Axial slice 357 of 787 of a contrast-enhanced abdominal CT (slice 1 is the lowest), 140 kVp, kernel I30f; 1.00 mm slice thickness and 0.910 mm pixels.
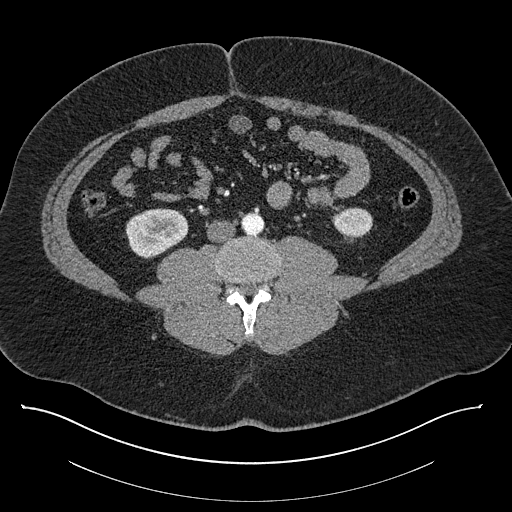
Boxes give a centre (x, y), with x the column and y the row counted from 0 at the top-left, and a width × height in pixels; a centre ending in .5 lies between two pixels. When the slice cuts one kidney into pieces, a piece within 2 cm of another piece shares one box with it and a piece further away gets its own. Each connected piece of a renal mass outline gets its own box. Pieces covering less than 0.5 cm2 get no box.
Boxed on this slice (two kidney boxes), listed by box centre from the image's left to its right: (1) Right kidney in a box with centre (156.5, 232), 64 × 49 pixels (outlined area 2,356 px, about 19.5 cm2). (2) Left kidney, box centre (352, 222.5), 41 × 32 pixels (outlined area 998 px, about 8.3 cm2). No renal mass outline on this slice.